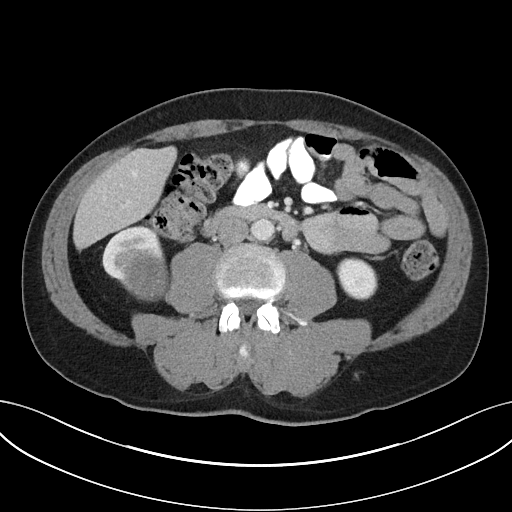
Abdominal CT with intravenous contrast, arterial phase, axial plane, 100 kVp, kernel I40f. Slice 6/32 from the bottom of the scan; thickness 5.00 mm; pixel size 0.779 mm.
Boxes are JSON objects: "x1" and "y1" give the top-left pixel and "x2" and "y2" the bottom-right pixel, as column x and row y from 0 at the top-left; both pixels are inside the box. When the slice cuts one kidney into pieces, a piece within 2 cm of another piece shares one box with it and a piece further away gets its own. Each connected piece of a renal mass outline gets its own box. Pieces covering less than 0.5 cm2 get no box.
Three boxes on this slice (two kidney boxes and one renal mass box), listed by box centre from the image's left to its right. (1) Right kidney, box {"x1": 102, "y1": 226, "x2": 164, "y2": 283} (outlined area 1,761 px, about 10.7 cm2). (2) Box {"x1": 122, "y1": 251, "x2": 169, "y2": 300}: right renal mass (outlined area 1,943 px, about 11.8 cm2). (3) Left kidney, box {"x1": 336, "y1": 257, "x2": 377, "y2": 300} (outlined area 1,385 px, about 8.4 cm2).